Abdominal CT with intravenous contrast, arterial phase, axial plane, 140 kVp, kernel I30f. Slice 284/591 from the bottom of the scan; thickness 1.00 mm; pixel size 0.703 mm.
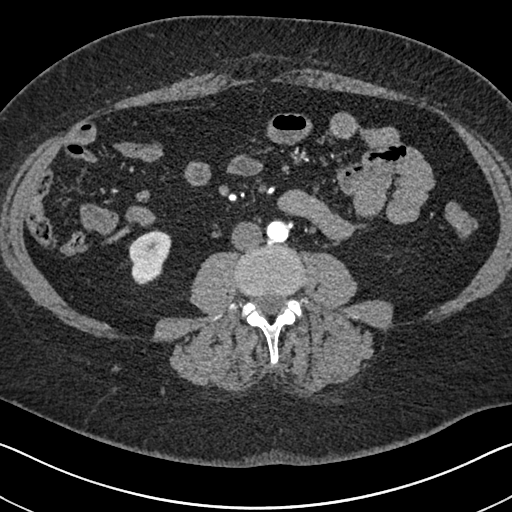
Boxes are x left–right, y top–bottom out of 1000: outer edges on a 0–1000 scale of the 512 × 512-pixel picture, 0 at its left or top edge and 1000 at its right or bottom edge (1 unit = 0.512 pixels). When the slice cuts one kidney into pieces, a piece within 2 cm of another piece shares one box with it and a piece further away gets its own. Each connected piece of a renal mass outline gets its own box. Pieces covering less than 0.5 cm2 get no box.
Right kidney, box x 250–336, y 447–557 out of 1000 (outlined area 1,714 px, about 8.5 cm2). No renal mass outline on this slice.